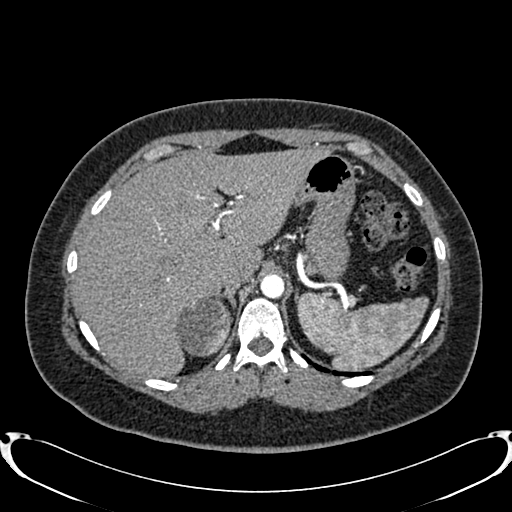
Arterial-phase contrast-enhanced abdominal CT, axial slice 620 of 719 (counted from the lowest slice); tube voltage 120 kVp, convolution kernel B20f; slices 1.00 mm thick, 0.766 mm per pixel.
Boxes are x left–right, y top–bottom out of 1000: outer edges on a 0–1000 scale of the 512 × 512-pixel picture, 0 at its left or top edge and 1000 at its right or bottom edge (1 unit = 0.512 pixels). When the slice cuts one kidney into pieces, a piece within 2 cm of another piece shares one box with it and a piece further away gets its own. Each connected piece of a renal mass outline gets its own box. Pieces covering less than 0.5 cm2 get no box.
Right renal mass at x 340–455, y 578–697 out of 1000 (outlined area 2,628 px, about 15.4 cm2); this slice has no kidney outline, though on another slice the same outlined renal mass lies within 1 cm of the kidney.